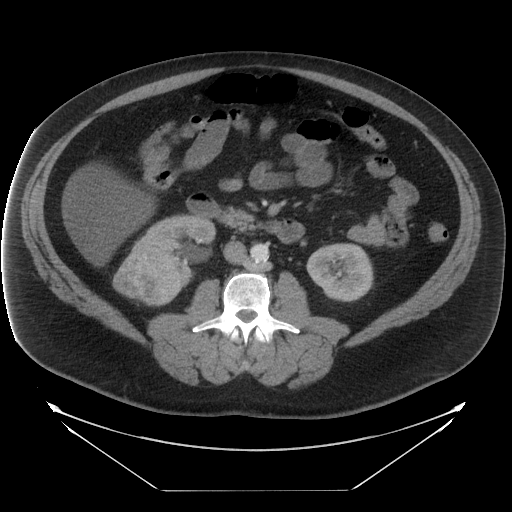
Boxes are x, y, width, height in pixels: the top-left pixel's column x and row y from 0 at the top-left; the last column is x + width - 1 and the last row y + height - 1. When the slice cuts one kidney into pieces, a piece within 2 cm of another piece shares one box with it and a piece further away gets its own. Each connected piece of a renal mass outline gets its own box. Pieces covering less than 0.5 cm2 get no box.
Contrast-enhanced abdominal CT, axial slice 11 of 29 (counted from the lowest slice); 5.00 mm thick, 0.977 mm per pixel. Three boxes on this slice (two kidney boxes and one renal mass box), listed by box centre from the image's left to its right. (1) Box x 112, y 253, width 70, height 54: right renal mass (outlined area 2,817 px, about 26.9 cm2). (2) Box x 128, y 215, width 88, height 74: right kidney (outlined area 3,279 px, about 31.3 cm2). (3) Left kidney at x 306, y 243, width 67, height 59 (outlined area 3,046 px, about 29.0 cm2).
Tube voltage 120 kVp; convolution kernel STANDARD.